One axial slice (36 of 105, counting up from the lowest) of a contrast-enhanced abdominal CT acquired with 120 kVp, kernel B; each pixel is 0.977 mm and the slice is 3.00 mm thick.
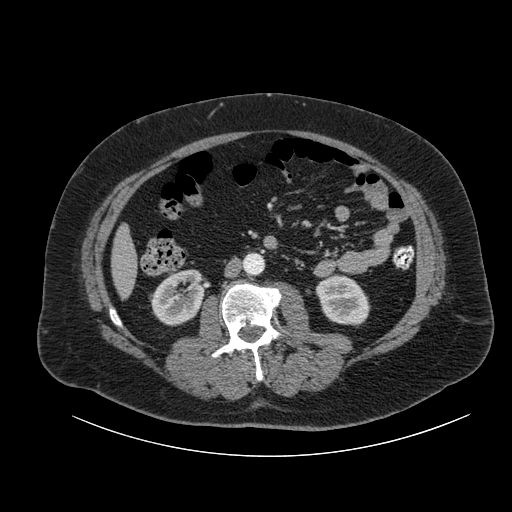
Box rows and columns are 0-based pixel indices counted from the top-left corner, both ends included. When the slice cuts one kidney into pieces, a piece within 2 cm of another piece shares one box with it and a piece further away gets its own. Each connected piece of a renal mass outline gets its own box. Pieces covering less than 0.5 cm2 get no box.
Boxed on this slice (two kidney boxes), listed by box centre from the image's left to its right: (1) Right kidney, box rows 269–325, columns 151–205 (outlined area 2,320 px, about 22.1 cm2). (2) Left kidney, box rows 274–326, columns 315–370 (outlined area 2,130 px, about 20.3 cm2). This slice carries no renal mass outline.